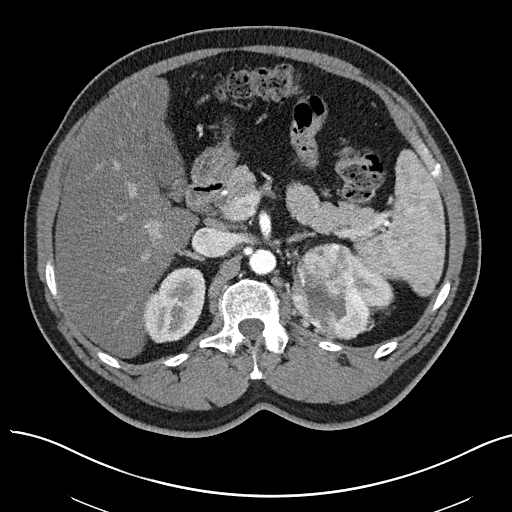
Abdominal CT with intravenous contrast, arterial phase, axial plane, 100 kVp, kernel I40f. Slice 48/97 from the bottom of the scan; thickness 3.00 mm; pixel size 0.797 mm.
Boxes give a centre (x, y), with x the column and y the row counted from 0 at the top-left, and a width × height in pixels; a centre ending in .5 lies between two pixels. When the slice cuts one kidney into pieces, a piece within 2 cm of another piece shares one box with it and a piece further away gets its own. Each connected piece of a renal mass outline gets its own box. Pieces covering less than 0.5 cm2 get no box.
Boxed on this slice (two kidney boxes and one renal mass box), listed by box centre from the image's left to its right: (1) Right kidney in a box with centre (173.5, 305), 64 × 77 pixels (outlined area 3,553 px, about 22.6 cm2). (2) Box centre (332, 291), 85 × 99 pixels: left renal mass (outlined area 5,887 px, about 37.4 cm2). (3) Box centre (373.5, 281), 42 × 61 pixels: left kidney (outlined area 1,295 px, about 8.2 cm2).